Axial slice 34 of 75 of a contrast-enhanced abdominal CT (slice 1 is the lowest), 140 kVp, kernel B30f; 3.00 mm slice thickness and 0.875 mm pixels.
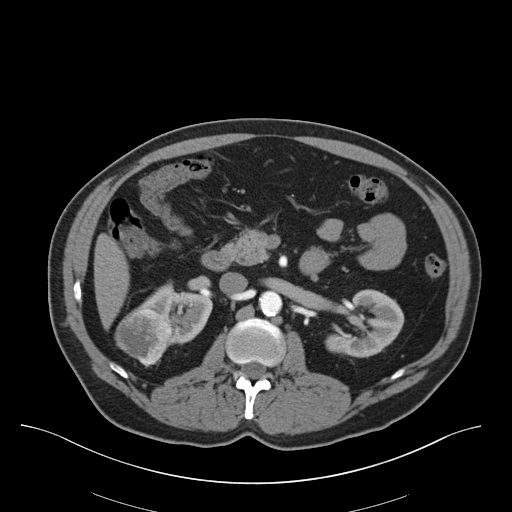
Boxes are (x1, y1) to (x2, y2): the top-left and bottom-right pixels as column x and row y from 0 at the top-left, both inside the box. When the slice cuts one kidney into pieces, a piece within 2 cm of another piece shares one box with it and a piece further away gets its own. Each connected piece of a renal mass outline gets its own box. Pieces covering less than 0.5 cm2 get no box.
Boxed on this slice (two kidney boxes and one renal mass box), listed by box centre from the image's left to its right: (1) Right renal mass, box (114, 309) to (172, 367) (outlined area 2,377 px, about 18.2 cm2). (2) Right kidney, box (133, 281) to (212, 344) (outlined area 2,478 px, about 19.0 cm2). (3) Left kidney, box (325, 289) to (404, 357) (outlined area 3,522 px, about 27.0 cm2).